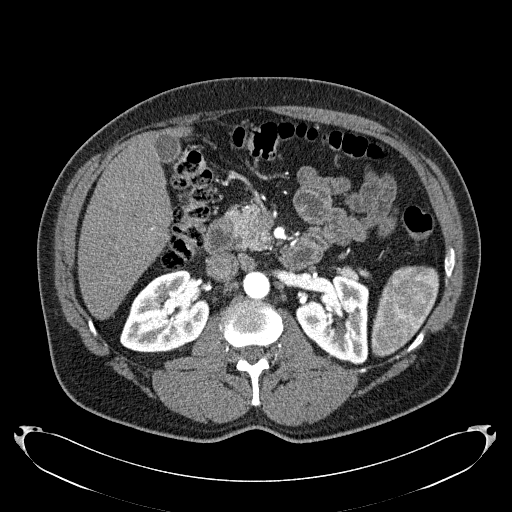
Abdominal CT with intravenous contrast, arterial phase, axial plane, 120 kVp, kernel B31f. Slice 126/279 from the bottom of the scan; thickness 2.00 mm; pixel size 0.824 mm.
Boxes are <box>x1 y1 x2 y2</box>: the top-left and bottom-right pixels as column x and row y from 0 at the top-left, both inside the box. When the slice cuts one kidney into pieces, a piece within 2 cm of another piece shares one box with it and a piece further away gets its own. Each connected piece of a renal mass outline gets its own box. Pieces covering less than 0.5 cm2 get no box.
Two boxes on this slice (two kidney boxes), listed by box centre from the image's left to its right. (1) Right kidney: <box>120 268 209 352</box> (outlined area 5,379 px, about 36.5 cm2). (2) Left kidney: <box>295 274 368 364</box> (outlined area 4,794 px, about 32.6 cm2).